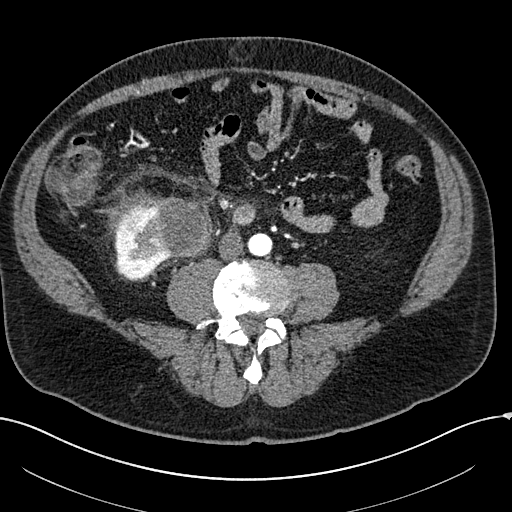
Arterial-phase contrast-enhanced abdominal CT, axial slice 41 of 304 (counted from the lowest slice); tube voltage 100 kVp, convolution kernel I30f; slices 2.00 mm thick, 0.809 mm per pixel.
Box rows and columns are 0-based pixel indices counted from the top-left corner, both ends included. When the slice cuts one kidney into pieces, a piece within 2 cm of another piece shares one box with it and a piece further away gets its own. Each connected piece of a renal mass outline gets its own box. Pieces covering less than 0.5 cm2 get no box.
Boxed on this slice (one kidney box and one renal mass box), listed by box centre from the image's left to its right: (1) Right kidney at rows 210–281, columns 111–169 (outlined area 2,159 px, about 14.1 cm2). (2) Right renal mass at rows 190–258, columns 107–212 (outlined area 4,546 px, about 29.7 cm2).